Axial slice 10 of 53 of a contrast-enhanced abdominal CT in the arterial phase (slice 1 is the lowest), 120 kVp, kernel B30f; 3.00 mm slice thickness and 0.547 mm pixels.
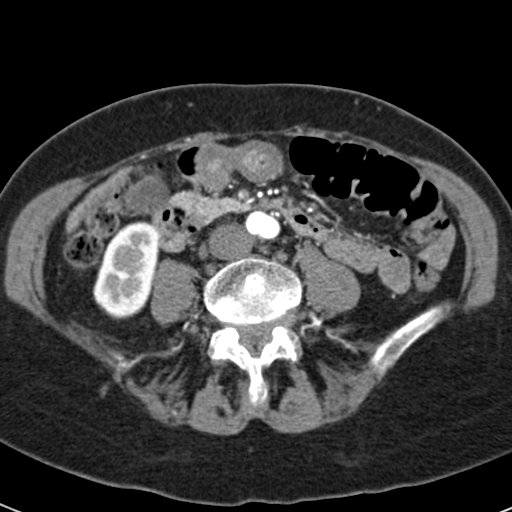
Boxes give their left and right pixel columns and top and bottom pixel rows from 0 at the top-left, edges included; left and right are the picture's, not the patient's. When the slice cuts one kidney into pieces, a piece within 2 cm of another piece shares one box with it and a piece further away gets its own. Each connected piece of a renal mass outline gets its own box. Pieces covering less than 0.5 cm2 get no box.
Right kidney, the box with left 92, top 221, right 158, bottom 319 (outlined area 4,788 px, about 14.3 cm2). No renal mass is outlined on this slice.